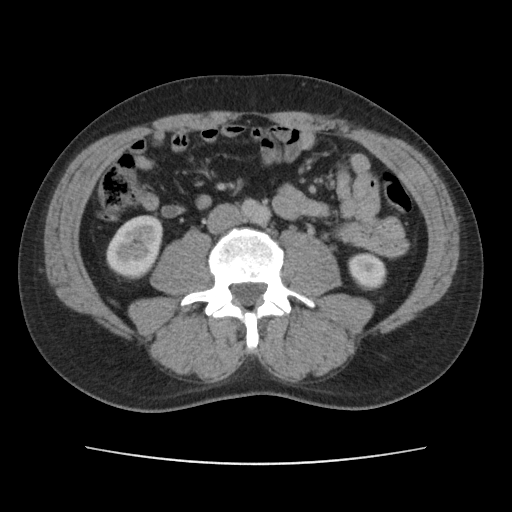
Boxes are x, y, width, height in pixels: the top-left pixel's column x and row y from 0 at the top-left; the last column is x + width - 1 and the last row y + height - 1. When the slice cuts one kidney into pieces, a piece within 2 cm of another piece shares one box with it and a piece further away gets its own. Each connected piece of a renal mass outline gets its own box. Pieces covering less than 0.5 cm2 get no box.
Arterial-phase contrast-enhanced abdominal CT, axial slice 56 of 101 (counted from the lowest slice); 5.00 mm thick, 0.755 mm per pixel. Boxed on this slice (two kidney boxes), listed by box centre from the image's left to its right: (1) Box x 106, y 214, width 58, height 66: right kidney (outlined area 2,800 px, about 16.0 cm2). (2) Left kidney at x 348, y 252, width 40, height 39 (outlined area 1,167 px, about 6.7 cm2). No renal mass outline on this slice.
Tube voltage 120 kVp; convolution kernel FC14.